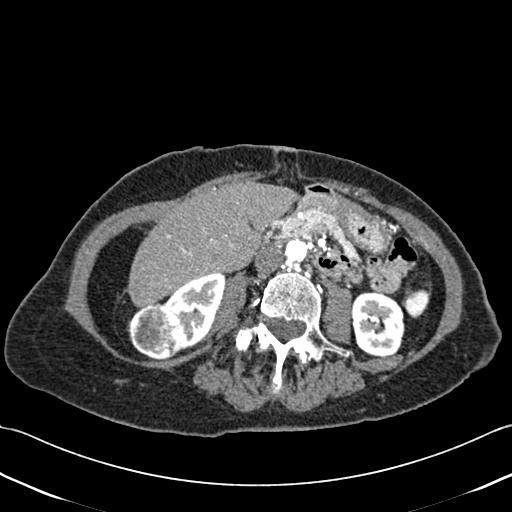
Abdominal CT with intravenous contrast, axial plane, 120 kVp, kernel B30f. Slice 199/433 from the bottom of the scan; thickness 1.00 mm; pixel size 0.672 mm.
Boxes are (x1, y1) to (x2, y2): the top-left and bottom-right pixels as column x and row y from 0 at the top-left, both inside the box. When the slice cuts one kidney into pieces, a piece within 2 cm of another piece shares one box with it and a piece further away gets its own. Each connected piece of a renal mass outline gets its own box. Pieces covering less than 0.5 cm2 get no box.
Two kidney boxes and one renal mass box on this slice; by box centre, from the image's left to its right: (1) Right renal mass from (127, 302) to (181, 360) (outlined area 2,401 px, about 10.8 cm2). (2) Right kidney from (162, 272) to (225, 349) (outlined area 2,790 px, about 12.6 cm2). (3) Left kidney from (351, 292) to (404, 356) (outlined area 2,894 px, about 13.1 cm2).